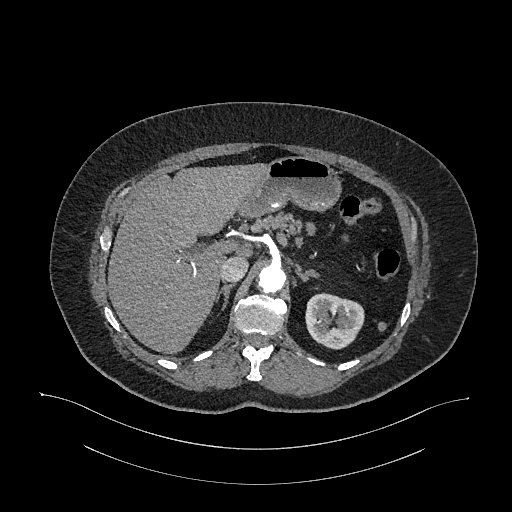
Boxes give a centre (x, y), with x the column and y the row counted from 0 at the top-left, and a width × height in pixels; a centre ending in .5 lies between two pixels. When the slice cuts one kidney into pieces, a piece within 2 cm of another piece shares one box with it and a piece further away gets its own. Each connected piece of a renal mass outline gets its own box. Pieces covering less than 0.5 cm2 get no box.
Slice 759/987 of a contrast-enhanced abdominal CT in the arterial phase, counting up from the lowest; pixel size 0.977 mm, slice thickness 1.00 mm. Box centre (334.5, 321), 60 × 57 pixels: left kidney (outlined area 2,590 px, about 24.7 cm2). No renal mass is outlined on this slice.
Acquired at 120 kVp and reconstructed with the I26f kernel.